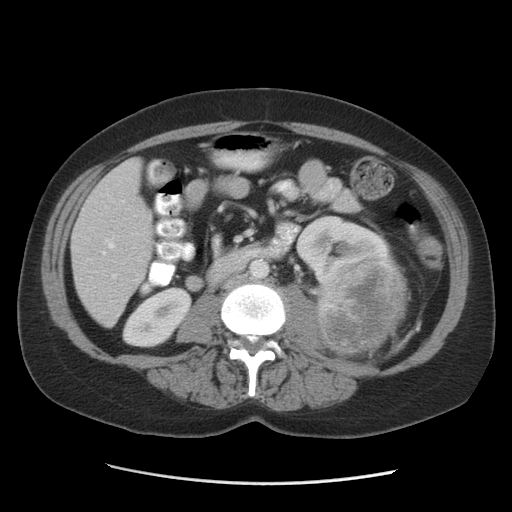
Axial slice 46 of 84 of a contrast-enhanced abdominal CT (slice 1 is the lowest), 140 kVp, kernel STANDARD; 5.00 mm slice thickness and 0.717 mm pixels.
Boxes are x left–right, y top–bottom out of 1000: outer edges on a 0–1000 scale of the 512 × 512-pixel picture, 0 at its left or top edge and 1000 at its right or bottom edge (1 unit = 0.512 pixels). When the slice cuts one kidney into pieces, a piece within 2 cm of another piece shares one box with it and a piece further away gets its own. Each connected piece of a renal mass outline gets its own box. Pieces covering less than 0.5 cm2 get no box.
Two kidney boxes and one renal mass box on this slice; by box centre, from the image's left to its right: (1) Box x 238–375, y 559–680 out of 1000: right kidney (outlined area 2,871 px, about 14.8 cm2). (2) Left kidney at x 576–777, y 420–553 out of 1000 (outlined area 3,468 px, about 17.8 cm2). (3) Box x 619–799, y 492–701 out of 1000: left renal mass (outlined area 7,727 px, about 39.7 cm2).